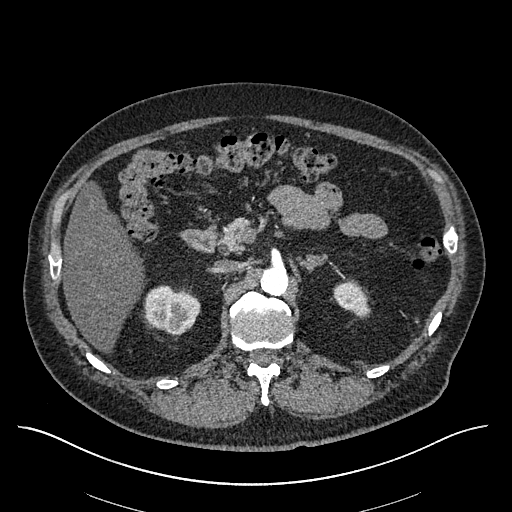
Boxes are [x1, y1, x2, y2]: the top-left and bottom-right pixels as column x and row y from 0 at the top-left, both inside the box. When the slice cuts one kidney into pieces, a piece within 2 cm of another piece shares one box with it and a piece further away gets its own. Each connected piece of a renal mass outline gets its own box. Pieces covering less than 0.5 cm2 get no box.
Arterial-phase contrast-enhanced abdominal CT, axial slice 389 of 670 (counted from the lowest slice); 1.00 mm thick, 0.861 mm per pixel. Boxed on this slice (two kidney boxes), listed by box centre from the image's left to its right: (1) Right kidney, box [144, 285, 200, 334] (outlined area 2,077 px, about 15.4 cm2). (2) Left kidney, box [333, 281, 370, 317] (outlined area 939 px, about 7.0 cm2). No renal mass outline on this slice.
Acquired at 120 kVp and reconstructed with the I30f kernel.